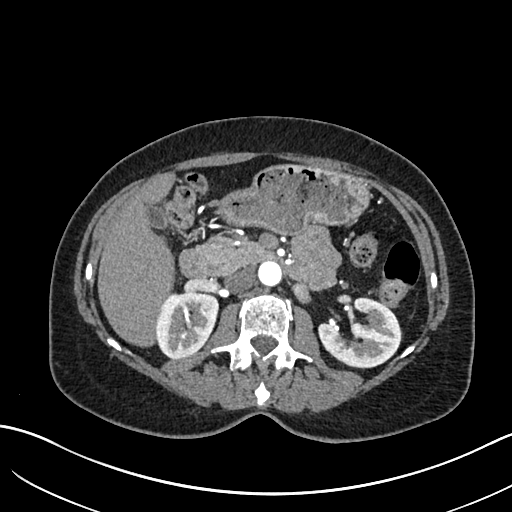
One axial slice (384 of 683, counting up from the lowest) of an arterial-phase abdominal CT acquired with 120 kVp, kernel I30f; each pixel is 0.738 mm and the slice is 1.00 mm thick.
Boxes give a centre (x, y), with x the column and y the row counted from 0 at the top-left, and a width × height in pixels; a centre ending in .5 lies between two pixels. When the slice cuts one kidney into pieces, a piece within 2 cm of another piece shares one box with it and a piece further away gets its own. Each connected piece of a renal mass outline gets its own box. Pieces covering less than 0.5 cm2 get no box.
Two boxes on this slice (two kidney boxes), listed by box centre from the image's left to its right. (1) Box centre (187, 325.5), 63 × 68 pixels: right kidney (outlined area 3,345 px, about 18.2 cm2). (2) Left kidney in a box with centre (359, 332.5), 83 × 72 pixels (outlined area 4,071 px, about 22.2 cm2). No renal mass is outlined on this slice.